Axial slice 75 of 137 of a contrast-enhanced abdominal CT (slice 1 is the lowest), 120 kVp, kernel FC52; 3.00 mm slice thickness and 0.741 mm pixels.
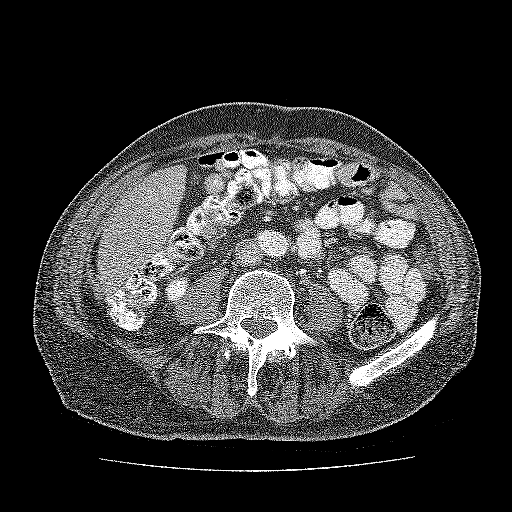
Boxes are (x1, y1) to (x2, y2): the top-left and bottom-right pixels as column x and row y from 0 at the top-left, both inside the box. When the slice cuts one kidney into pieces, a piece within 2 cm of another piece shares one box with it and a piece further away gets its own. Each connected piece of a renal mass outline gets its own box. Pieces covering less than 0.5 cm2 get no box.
Box (165, 274) to (190, 303): kidney (outlined area 533 px, about 2.9 cm2). No renal mass outline on this slice.